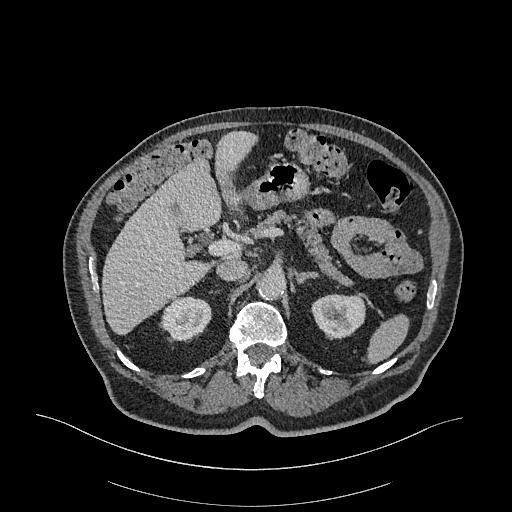
Arterial-phase contrast-enhanced abdominal CT, axial slice 229 of 470 (counted from the lowest slice); tube voltage 120 kVp, convolution kernel I26f; slices 1.00 mm thick, 0.938 mm per pixel.
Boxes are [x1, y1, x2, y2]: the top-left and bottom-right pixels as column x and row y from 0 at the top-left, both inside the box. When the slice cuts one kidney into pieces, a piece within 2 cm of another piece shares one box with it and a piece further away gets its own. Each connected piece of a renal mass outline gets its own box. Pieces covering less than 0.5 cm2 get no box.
Two boxes on this slice (two kidney boxes), listed by box centre from the image's left to its right. (1) Right kidney at [162, 296, 211, 340] (outlined area 1,704 px, about 15.0 cm2). (2) Left kidney at [311, 294, 365, 338] (outlined area 1,926 px, about 16.9 cm2). No renal mass outline on this slice.